One axial slice (289 of 620, counting up from the lowest) of an arterial-phase abdominal CT acquired with 120 kVp, kernel B31f; each pixel is 0.637 mm and the slice is 2.00 mm thick.
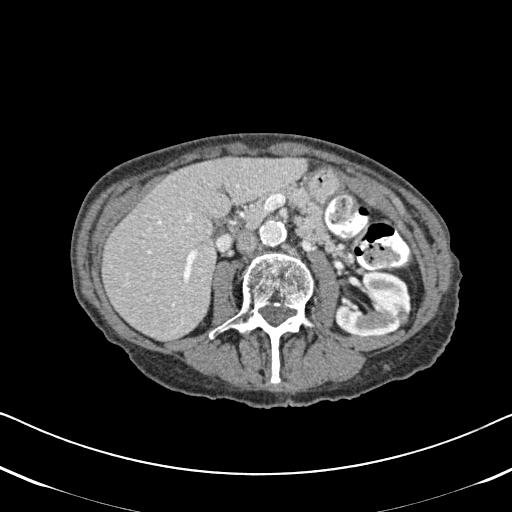
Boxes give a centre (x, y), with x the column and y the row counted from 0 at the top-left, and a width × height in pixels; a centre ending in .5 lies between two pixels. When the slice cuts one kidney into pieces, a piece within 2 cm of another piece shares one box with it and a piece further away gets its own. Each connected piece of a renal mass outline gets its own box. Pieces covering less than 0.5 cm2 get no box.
Left kidney, box centre (372.5, 304), 78 × 67 pixels (outlined area 3,718 px, about 15.1 cm2). No renal mass is outlined on this slice.